One axial slice (140 of 199, counting up from the lowest) of an arterial-phase abdominal CT acquired with 120 kVp, kernel STANDARD; each pixel is 0.789 mm and the slice is 2.50 mm thick.
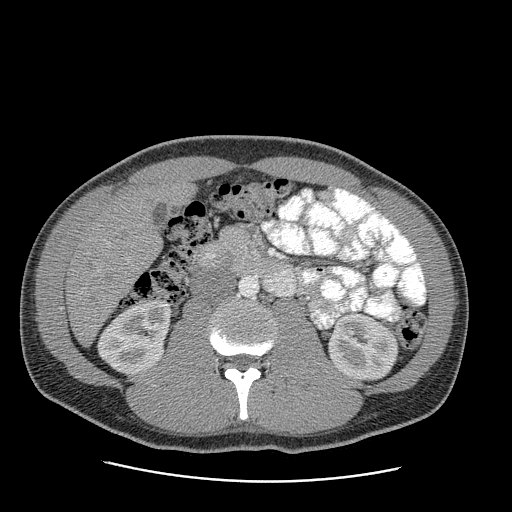
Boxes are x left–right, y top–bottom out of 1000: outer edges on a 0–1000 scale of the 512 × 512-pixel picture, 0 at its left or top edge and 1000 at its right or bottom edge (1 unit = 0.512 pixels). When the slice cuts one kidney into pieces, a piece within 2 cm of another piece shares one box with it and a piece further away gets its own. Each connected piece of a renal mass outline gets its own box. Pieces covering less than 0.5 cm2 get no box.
Boxed on this slice (two kidney boxes), listed by box centre from the image's left to its right: (1) Right kidney, box x 189–336, y 580–732 out of 1000 (outlined area 4,004 px, about 24.9 cm2). (2) Left kidney at x 639–781, y 609–744 out of 1000 (outlined area 3,778 px, about 23.5 cm2). No renal mass is outlined on this slice.